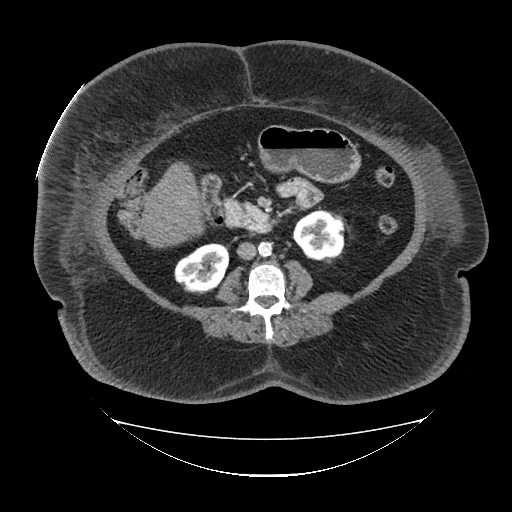
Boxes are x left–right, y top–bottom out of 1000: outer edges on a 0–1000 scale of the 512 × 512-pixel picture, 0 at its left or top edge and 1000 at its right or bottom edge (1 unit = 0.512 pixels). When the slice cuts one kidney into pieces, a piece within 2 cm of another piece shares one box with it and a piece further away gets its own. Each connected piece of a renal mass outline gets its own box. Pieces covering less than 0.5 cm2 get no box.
This is axial slice 51 of 85 (slice 1 is the lowest) of an arterial-phase abdominal CT with contrast; each pixel is 1.041 mm and the slice is 5.00 mm thick. Boxed on this slice (two kidney boxes), listed by box centre from the image's left to its right: (1) Right kidney, box x 340–449, y 475–576 out of 1000 (outlined area 2,118 px, about 23.0 cm2). (2) Left kidney at x 572–674, y 410–508 out of 1000 (outlined area 2,044 px, about 22.2 cm2). No renal mass is outlined on this slice.
Scan settings: 120 kVp, FC19 reconstruction kernel.